One axial slice (349 of 439, counting up from the lowest) of a contrast-enhanced abdominal CT acquired with 100 kVp, kernel I40f; each pixel is 0.850 mm and the slice is 2.00 mm thick.
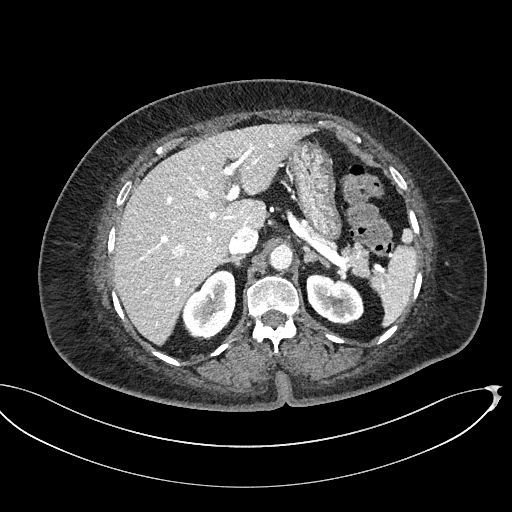
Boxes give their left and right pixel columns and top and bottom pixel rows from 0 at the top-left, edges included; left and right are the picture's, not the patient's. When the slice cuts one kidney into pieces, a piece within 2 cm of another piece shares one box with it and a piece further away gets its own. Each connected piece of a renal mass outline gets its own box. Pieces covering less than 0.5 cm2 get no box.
Boxed on this slice (two kidney boxes), listed by box centre from the image's left to its right: (1) Box with left 182, top 269, right 236, bottom 340: right kidney (outlined area 2,747 px, about 19.8 cm2). (2) Box with left 306, top 273, right 363, bottom 324: left kidney (outlined area 2,194 px, about 15.8 cm2). This slice carries no renal mass outline.